Abdominal CT with intravenous contrast, arterial phase, axial plane, 100 kVp, kernel I31f. Slice 43/195 from the bottom of the scan; thickness 1.50 mm; pixel size 0.707 mm.
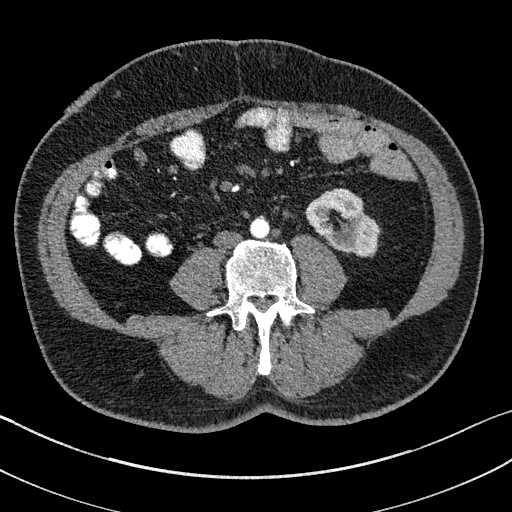
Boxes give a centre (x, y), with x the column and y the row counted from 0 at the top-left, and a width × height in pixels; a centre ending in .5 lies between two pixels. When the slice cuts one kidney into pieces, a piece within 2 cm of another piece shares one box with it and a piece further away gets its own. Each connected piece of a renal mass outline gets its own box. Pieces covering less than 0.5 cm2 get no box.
Box centre (342, 222), 75 × 69 pixels: left kidney (outlined area 3,230 px, about 16.1 cm2). This slice carries no renal mass outline.